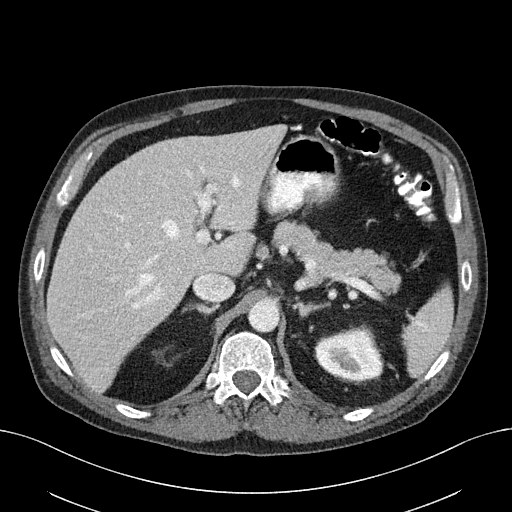
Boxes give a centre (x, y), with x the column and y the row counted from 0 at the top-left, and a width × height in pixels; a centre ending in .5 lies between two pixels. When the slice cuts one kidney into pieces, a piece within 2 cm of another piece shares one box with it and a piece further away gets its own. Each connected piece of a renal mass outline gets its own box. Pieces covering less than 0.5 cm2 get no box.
Slice 130/163 of a contrast-enhanced abdominal CT, counting up from the lowest; pixel size 0.799 mm, slice thickness 3.00 mm. Left kidney, box centre (349, 354.5), 69 × 58 pixels (outlined area 2,869 px, about 18.3 cm2). No renal mass outline on this slice.
Scan settings: 100 kVp, I40f reconstruction kernel.